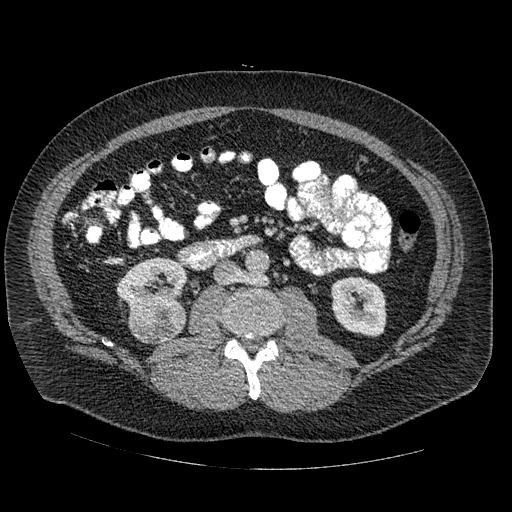
One axial slice (254 of 445, counting up from the lowest) of an arterial-phase abdominal CT acquired with 120 kVp, kernel STANDARD; each pixel is 0.863 mm and the slice is 1.25 mm thick.
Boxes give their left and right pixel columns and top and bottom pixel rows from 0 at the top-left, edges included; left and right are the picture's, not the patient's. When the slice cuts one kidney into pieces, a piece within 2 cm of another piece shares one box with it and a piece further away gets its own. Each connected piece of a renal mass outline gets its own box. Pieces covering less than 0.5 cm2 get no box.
Two kidney boxes and one renal mass box on this slice; by box centre, from the image's left to its right: (1) Right kidney, the box with left 116, top 257, right 187, bottom 312 (outlined area 2,666 px, about 19.9 cm2). (2) Right renal mass, the box with left 128, top 300, right 186, bottom 343 (outlined area 2,022 px, about 15.1 cm2). (3) Box with left 331, top 276, right 386, bottom 337: left kidney (outlined area 2,756 px, about 20.5 cm2).